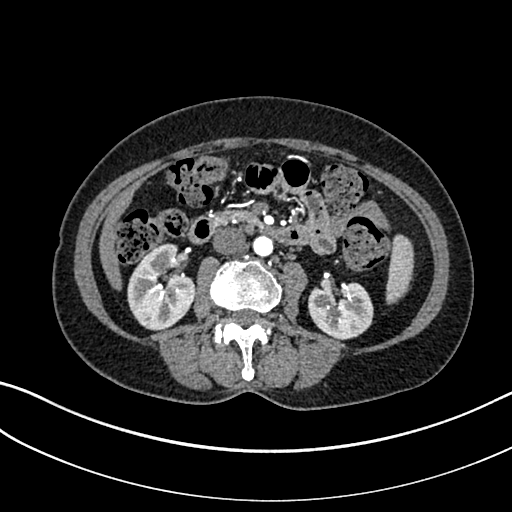
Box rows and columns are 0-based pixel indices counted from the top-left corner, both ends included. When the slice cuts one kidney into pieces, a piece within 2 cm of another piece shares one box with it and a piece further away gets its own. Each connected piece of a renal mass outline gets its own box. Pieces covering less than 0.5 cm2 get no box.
This is axial slice 137 of 325 (slice 1 is the lowest) of an arterial-phase abdominal CT with contrast; each pixel is 0.703 mm and the slice is 1.00 mm thick. Boxed on this slice (two kidney boxes), listed by box centre from the image's left to its right: (1) Right kidney, box rows 243–330, columns 127–196 (outlined area 4,344 px, about 21.5 cm2). (2) Left kidney, box rows 282–339, columns 308–373 (outlined area 3,000 px, about 14.8 cm2). No renal mass outline on this slice.
Acquired at 100 kVp and reconstructed with the I30f kernel.